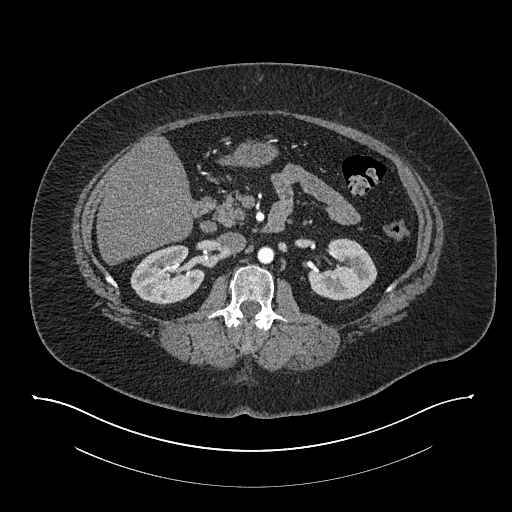
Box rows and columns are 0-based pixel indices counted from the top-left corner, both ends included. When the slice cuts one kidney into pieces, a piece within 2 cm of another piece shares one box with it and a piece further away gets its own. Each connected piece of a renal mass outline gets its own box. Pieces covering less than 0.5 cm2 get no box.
This is axial slice 469 of 673 (slice 1 is the lowest) of an arterial-phase abdominal CT with contrast; each pixel is 0.957 mm and the slice is 1.00 mm thick. Two kidney boxes on this slice; by box centre, from the image's left to its right: (1) Right kidney at rows 245–305, columns 130–205 (outlined area 3,255 px, about 29.8 cm2). (2) Left kidney at rows 238–300, columns 308–377 (outlined area 2,949 px, about 27.0 cm2). This slice carries no renal mass outline.
Tube voltage 140 kVp; convolution kernel I30f.